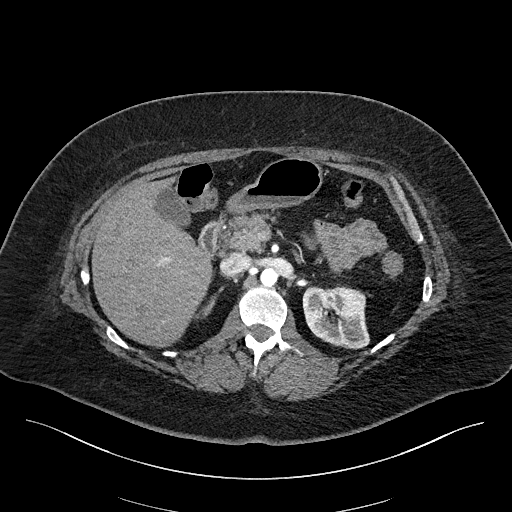
Abdominal CT with intravenous contrast, arterial phase, axial plane, 100 kVp, kernel I40f. Slice 132/270 from the bottom of the scan; thickness 2.00 mm; pixel size 0.855 mm.
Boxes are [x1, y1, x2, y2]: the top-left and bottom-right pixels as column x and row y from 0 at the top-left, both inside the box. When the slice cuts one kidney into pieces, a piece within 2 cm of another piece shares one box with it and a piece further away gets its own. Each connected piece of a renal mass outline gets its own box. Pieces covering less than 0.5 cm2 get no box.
Boxed on this slice (two kidney boxes), listed by box centre from the image's left to its right: (1) Right kidney, box [201, 301, 212, 313] (outlined area 88 px, about 0.6 cm2). (2) Left kidney, box [302, 285, 369, 349] (outlined area 3,422 px, about 25.0 cm2). No renal mass is outlined on this slice.